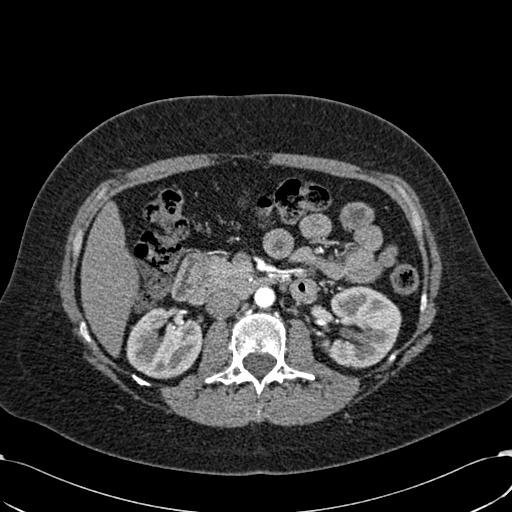
Abdominal CT with intravenous contrast, arterial phase, axial plane, 120 kVp, kernel B30f. Slice 356/532 from the bottom of the scan; thickness 1.00 mm; pixel size 0.713 mm.
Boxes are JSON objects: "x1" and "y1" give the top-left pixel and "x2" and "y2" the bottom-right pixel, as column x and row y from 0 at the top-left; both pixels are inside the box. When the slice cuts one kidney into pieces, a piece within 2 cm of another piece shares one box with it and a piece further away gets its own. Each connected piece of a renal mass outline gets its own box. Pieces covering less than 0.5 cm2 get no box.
Boxed on this slice (two kidney boxes), listed by box centre from the image's left to its right: (1) Right kidney at {"x1": 126, "y1": 307, "x2": 202, "y2": 379} (outlined area 4,137 px, about 21.0 cm2). (2) Left kidney, box {"x1": 326, "y1": 285, "x2": 401, "y2": 368} (outlined area 4,735 px, about 24.1 cm2). No renal mass outline on this slice.